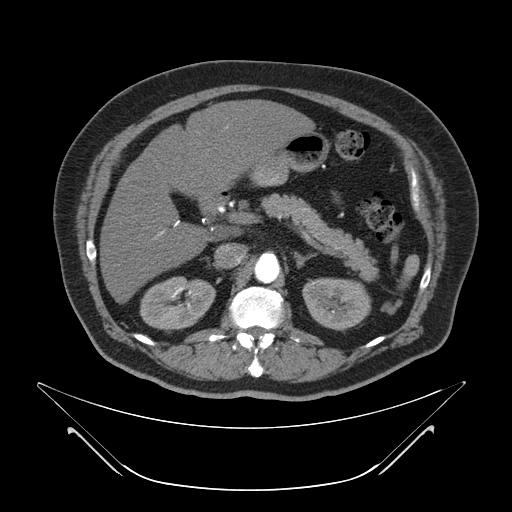
Abdominal CT with intravenous contrast, axial plane, 120 kVp, kernel B. Slice 35/64 from the bottom of the scan; thickness 4.00 mm; pixel size 0.977 mm.
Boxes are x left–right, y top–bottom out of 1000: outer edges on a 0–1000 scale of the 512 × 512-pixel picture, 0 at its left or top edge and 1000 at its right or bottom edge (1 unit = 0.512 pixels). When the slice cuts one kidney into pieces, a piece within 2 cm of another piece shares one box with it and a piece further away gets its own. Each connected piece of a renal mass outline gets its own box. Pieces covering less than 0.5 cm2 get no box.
Two kidney boxes on this slice; by box centre, from the image's left to its right: (1) Right kidney, box x 271–422, y 539–648 out of 1000 (outlined area 3,103 px, about 29.6 cm2). (2) Left kidney at x 590–727, y 543–648 out of 1000 (outlined area 2,875 px, about 27.4 cm2). No renal mass outline on this slice.